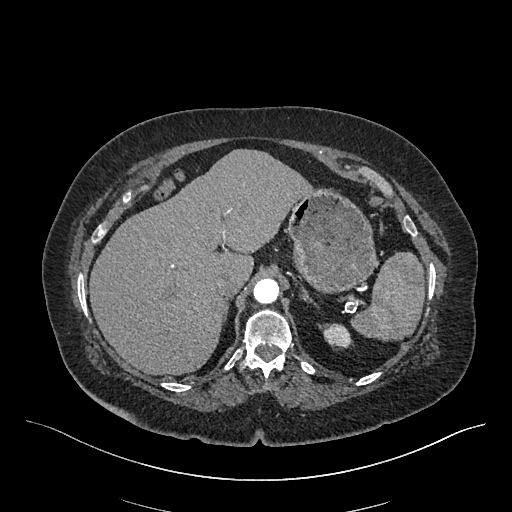
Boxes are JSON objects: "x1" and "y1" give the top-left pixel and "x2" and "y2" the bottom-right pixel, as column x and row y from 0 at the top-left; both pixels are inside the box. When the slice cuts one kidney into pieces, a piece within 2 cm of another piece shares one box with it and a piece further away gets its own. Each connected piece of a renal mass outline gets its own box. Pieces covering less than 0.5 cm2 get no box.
Slice 369/548 of a contrast-enhanced abdominal CT in the arterial phase, counting up from the lowest; pixel size 0.852 mm, slice thickness 1.00 mm. Left kidney at {"x1": 323, "y1": 324, "x2": 350, "y2": 347} (outlined area 516 px, about 3.7 cm2). This slice carries no renal mass outline.
Scan settings: 120 kVp, I26f reconstruction kernel.